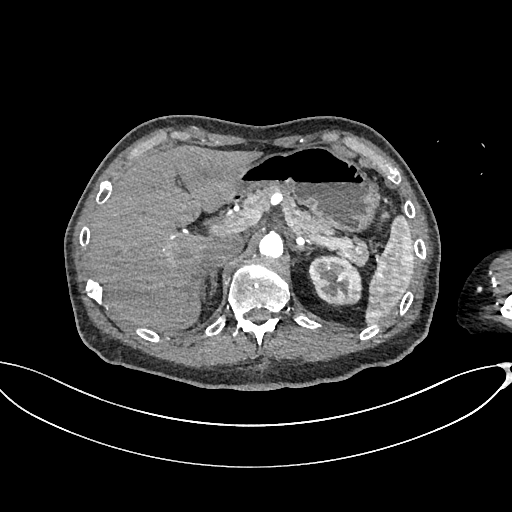
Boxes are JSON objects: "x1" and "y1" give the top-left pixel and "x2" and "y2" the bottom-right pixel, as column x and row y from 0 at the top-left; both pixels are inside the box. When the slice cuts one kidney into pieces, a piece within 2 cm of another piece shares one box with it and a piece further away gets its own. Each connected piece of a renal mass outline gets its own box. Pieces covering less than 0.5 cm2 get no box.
This is axial slice 488 of 665 (slice 1 is the lowest) of an arterial-phase abdominal CT with contrast; each pixel is 0.828 mm and the slice is 1.00 mm thick. Box {"x1": 308, "y1": 254, "x2": 362, "y2": 306}: left kidney (outlined area 2,185 px, about 15.0 cm2). This slice carries no renal mass outline.
Acquired at 100 kVp and reconstructed with the I26f kernel.